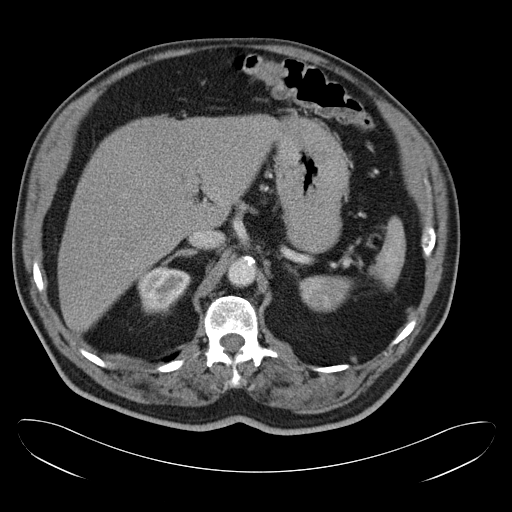
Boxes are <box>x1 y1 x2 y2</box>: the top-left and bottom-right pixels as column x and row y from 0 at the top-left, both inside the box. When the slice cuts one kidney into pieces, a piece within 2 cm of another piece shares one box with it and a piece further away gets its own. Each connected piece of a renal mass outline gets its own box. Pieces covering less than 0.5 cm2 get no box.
Arterial-phase contrast-enhanced abdominal CT, axial slice 29 of 34 (counted from the lowest slice); 5.00 mm thick, 0.830 mm per pixel. Right kidney at <box>137 266 190 314</box> (outlined area 1,878 px, about 12.9 cm2). No renal mass is outlined on this slice.
Scan settings: 120 kVp, B30f reconstruction kernel.